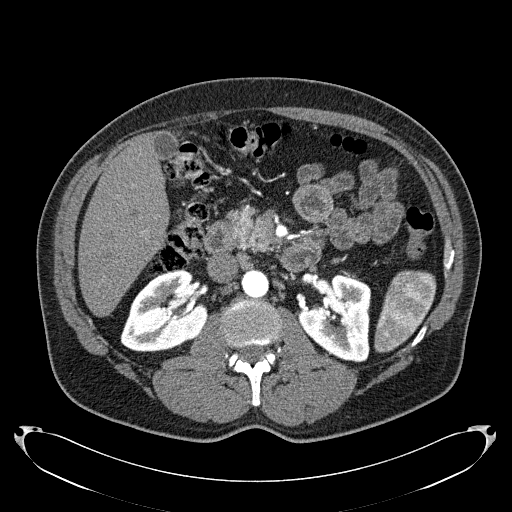
One axial slice (122 of 279, counting up from the lowest) of an arterial-phase abdominal CT acquired with 120 kVp, kernel B31f; each pixel is 0.824 mm and the slice is 2.00 mm thick.
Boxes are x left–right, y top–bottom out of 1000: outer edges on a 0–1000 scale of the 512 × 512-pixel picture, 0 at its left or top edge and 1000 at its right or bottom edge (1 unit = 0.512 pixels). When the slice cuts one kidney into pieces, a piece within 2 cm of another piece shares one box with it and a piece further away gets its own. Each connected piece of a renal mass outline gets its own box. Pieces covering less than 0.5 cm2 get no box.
Boxed on this slice (two kidney boxes), listed by box centre from the image's left to its right: (1) Box x 234–406, y 525–688 out of 1000: right kidney (outlined area 5,192 px, about 35.3 cm2). (2) Box x 578–725, y 535–709 out of 1000: left kidney (outlined area 4,611 px, about 31.3 cm2). This slice carries no renal mass outline.